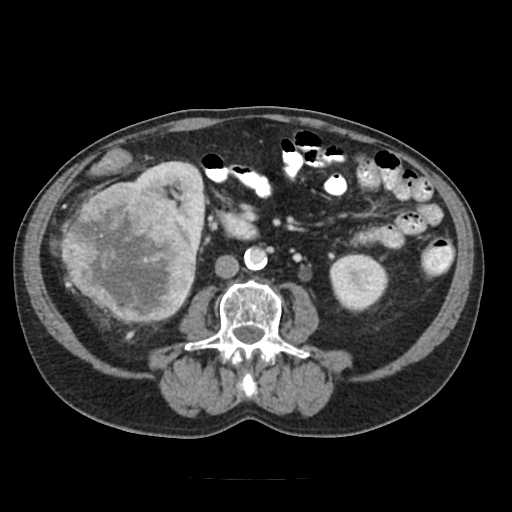
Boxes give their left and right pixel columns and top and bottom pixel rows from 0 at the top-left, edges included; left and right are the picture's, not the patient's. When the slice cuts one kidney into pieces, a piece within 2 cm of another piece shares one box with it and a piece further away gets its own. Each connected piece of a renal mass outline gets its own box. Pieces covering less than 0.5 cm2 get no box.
Contrast-enhanced abdominal CT, axial slice 53 of 91 (counted from the lowest slice); 5.00 mm thick, 0.766 mm per pixel. Two kidney boxes and one renal mass box on this slice; by box centre, from the image's left to its right: (1) Right renal mass, the box with left 61, top 182, right 195, bottom 320 (outlined area 13,897 px, about 81.5 cm2). (2) Box with left 136, top 161, right 204, bottom 256: right kidney (outlined area 2,934 px, about 17.2 cm2). (3) Box with left 329, top 253, right 389, bottom 313: left kidney (outlined area 2,738 px, about 16.1 cm2).
Scan settings: 120 kVp, FC18 reconstruction kernel.